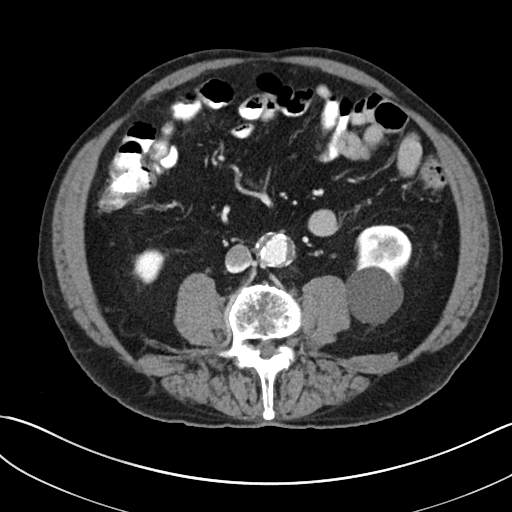
Abdominal CT with intravenous contrast, axial plane, 100 kVp, kernel I30f. Slice 107/269 from the bottom of the scan; thickness 5.00 mm; pixel size 0.732 mm.
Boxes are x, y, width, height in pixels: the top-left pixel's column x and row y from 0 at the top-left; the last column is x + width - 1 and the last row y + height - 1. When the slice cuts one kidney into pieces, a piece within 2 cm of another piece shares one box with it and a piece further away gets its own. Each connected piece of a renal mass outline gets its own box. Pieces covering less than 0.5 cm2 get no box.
Two kidney boxes on this slice; by box centre, from the image's left to its right: (1) Right kidney, box x 134, y 249, width 32, height 36 (outlined area 802 px, about 4.3 cm2). (2) Left kidney, box x 345, y 224, width 68, height 102 (outlined area 4,880 px, about 26.2 cm2). No renal mass is outlined on this slice.